Abdominal CT with intravenous contrast, arterial phase, axial plane, 120 kVp, kernel B41f. Slice 76/103 from the bottom of the scan; thickness 5.00 mm; pixel size 0.951 mm.
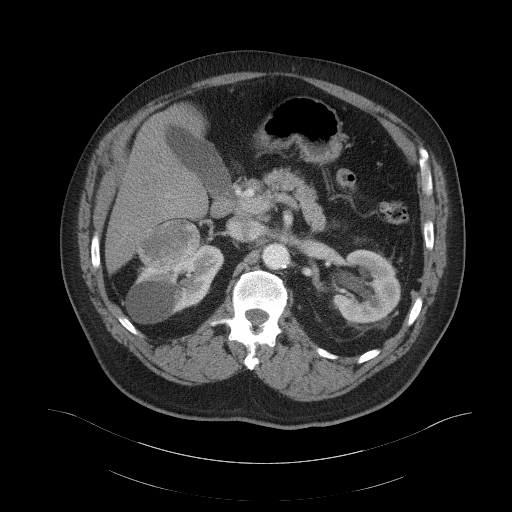
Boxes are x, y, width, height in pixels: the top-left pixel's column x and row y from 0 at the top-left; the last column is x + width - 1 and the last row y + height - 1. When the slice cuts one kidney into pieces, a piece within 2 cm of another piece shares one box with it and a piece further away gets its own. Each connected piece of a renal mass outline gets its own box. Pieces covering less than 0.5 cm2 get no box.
Two kidney boxes and one renal mass box on this slice; by box centre, from the image's left to its right: (1) Right renal mass, box x 134, y 217, width 67, height 51 (outlined area 2,549 px, about 23.1 cm2). (2) Right kidney, box x 124, y 238, width 101, height 86 (outlined area 4,443 px, about 40.2 cm2). (3) Left kidney at x 332, y 249, width 70, height 75 (outlined area 3,761 px, about 34.0 cm2).